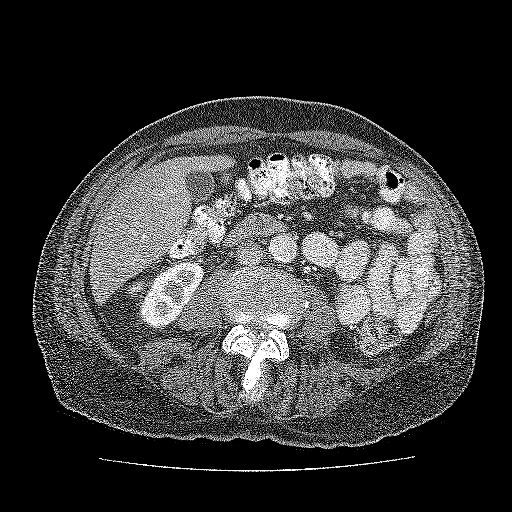
One axial slice (80 of 137, counting up from the lowest) of a contrast-enhanced abdominal CT acquired with 120 kVp, kernel FC52; each pixel is 0.741 mm and the slice is 3.00 mm thick.
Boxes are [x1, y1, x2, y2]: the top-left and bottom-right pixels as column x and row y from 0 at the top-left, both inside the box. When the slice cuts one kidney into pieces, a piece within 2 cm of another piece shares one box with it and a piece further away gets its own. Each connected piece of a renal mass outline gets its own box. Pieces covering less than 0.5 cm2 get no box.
Kidney, box [138, 261, 204, 329] (outlined area 2,837 px, about 15.6 cm2). No renal mass outline on this slice.